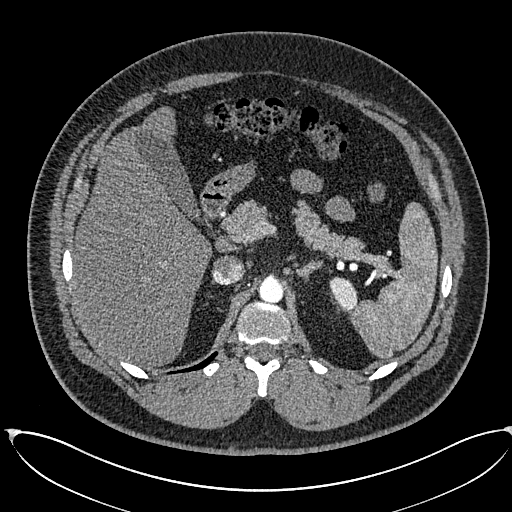
Arterial-phase contrast-enhanced abdominal CT, axial slice 432 of 673 (counted from the lowest slice); tube voltage 120 kVp, convolution kernel I30f; slices 1.00 mm thick, 0.855 mm per pixel.
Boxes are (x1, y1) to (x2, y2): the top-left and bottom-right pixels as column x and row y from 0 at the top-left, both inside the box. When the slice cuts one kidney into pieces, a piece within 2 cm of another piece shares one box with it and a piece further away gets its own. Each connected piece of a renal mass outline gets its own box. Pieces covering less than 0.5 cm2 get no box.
Left kidney, box (329, 276) to (357, 312) (outlined area 710 px, about 5.2 cm2). This slice carries no renal mass outline.